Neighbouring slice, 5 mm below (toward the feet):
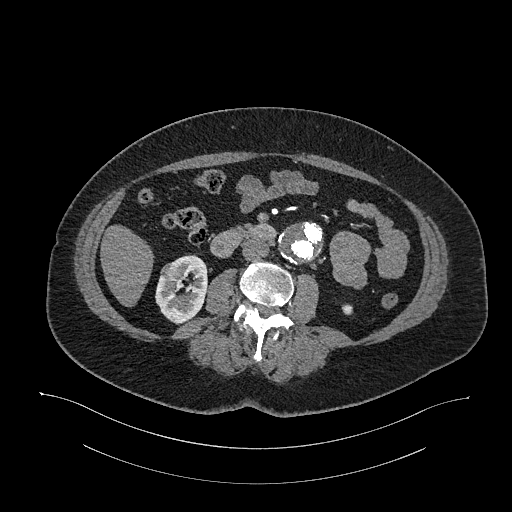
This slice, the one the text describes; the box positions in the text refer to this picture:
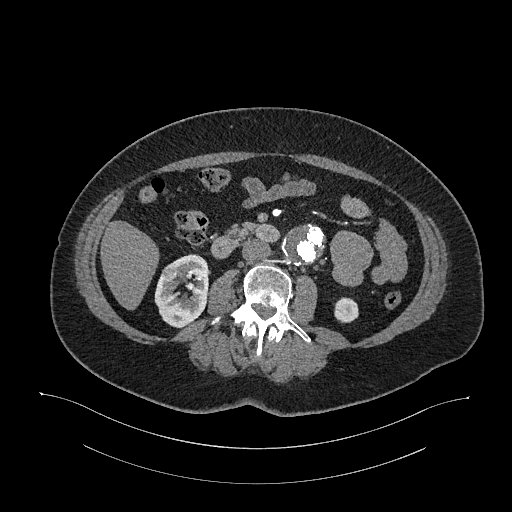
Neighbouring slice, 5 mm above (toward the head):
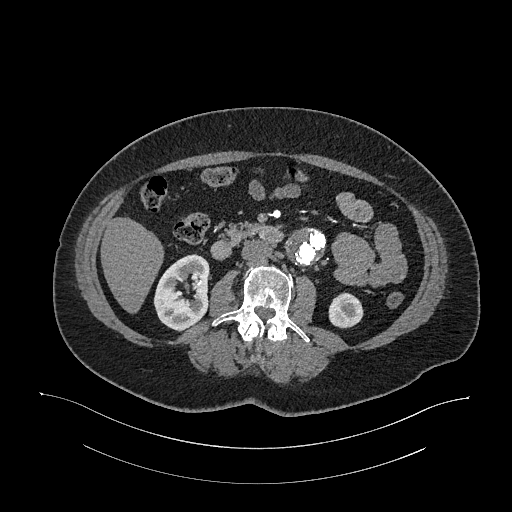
Arterial-phase contrast-enhanced abdominal CT, axial slice 586 of 987 (counted from the lowest slice); tube voltage 120 kVp, convolution kernel I26f; slices 1.00 mm thick, 0.977 mm per pixel.
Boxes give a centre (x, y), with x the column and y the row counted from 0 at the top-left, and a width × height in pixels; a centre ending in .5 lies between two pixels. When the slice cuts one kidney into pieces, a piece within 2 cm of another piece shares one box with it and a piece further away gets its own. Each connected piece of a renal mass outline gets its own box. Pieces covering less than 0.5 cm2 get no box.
Three boxes on this slice (two kidney boxes and one renal mass box), listed by box centre from the image's left to its right. (1) Box centre (168.5, 269), 14 × 11 pixels: right renal mass (outlined area 104 px, about 1.0 cm2). (2) Box centre (181.5, 291), 56 × 75 pixels: right kidney (outlined area 2,929 px, about 27.9 cm2). (3) Left kidney in a box with centre (346, 309.5), 25 × 26 pixels (outlined area 526 px, about 5.0 cm2). This slice lies near the end of the right renal mass toward the head; the slices 5 mm below and 5 mm above it are shown too, and the boxes mark positions on this slice only.